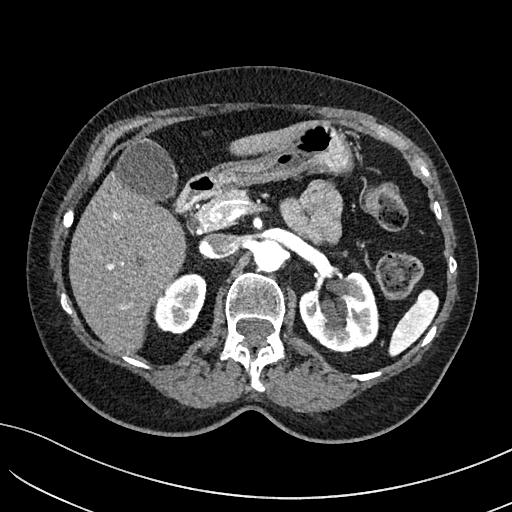
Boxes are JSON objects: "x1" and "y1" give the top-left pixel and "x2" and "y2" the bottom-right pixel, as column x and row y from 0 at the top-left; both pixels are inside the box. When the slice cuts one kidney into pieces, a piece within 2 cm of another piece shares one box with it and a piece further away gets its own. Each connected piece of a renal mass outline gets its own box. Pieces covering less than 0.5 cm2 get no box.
Slice 92/234 of a contrast-enhanced abdominal CT in the arterial phase, counting up from the lowest; pixel size 0.699 mm, slice thickness 2.00 mm. Two boxes on this slice (two kidney boxes), listed by box centre from the image's left to its right. (1) Right kidney, box {"x1": 153, "y1": 273, "x2": 206, "y2": 334} (outlined area 2,385 px, about 11.7 cm2). (2) Left kidney, box {"x1": 299, "y1": 271, "x2": 379, "y2": 352} (outlined area 4,690 px, about 22.9 cm2). No renal mass outline on this slice.
Tube voltage 100 kVp; convolution kernel I40f.